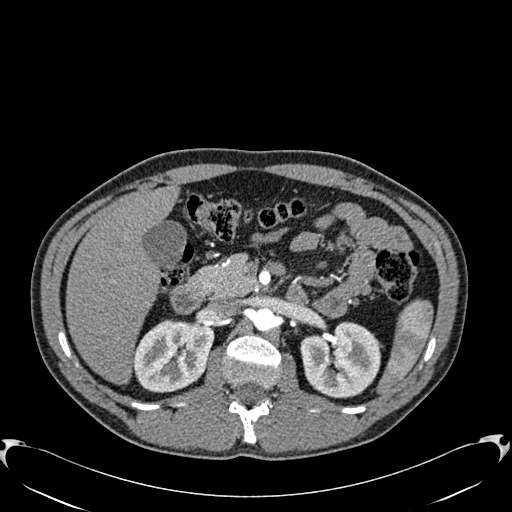
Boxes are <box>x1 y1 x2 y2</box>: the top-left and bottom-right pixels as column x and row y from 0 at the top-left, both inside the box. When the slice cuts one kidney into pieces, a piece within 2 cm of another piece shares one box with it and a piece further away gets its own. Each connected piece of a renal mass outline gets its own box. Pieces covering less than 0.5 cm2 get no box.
Slice 385/512 of a contrast-enhanced abdominal CT in the arterial phase, counting up from the lowest; pixel size 0.771 mm, slice thickness 1.00 mm. Two kidney boxes on this slice; by box centre, from the image's left to its right: (1) Right kidney: <box>133 319 214 392</box> (outlined area 4,593 px, about 27.3 cm2). (2) Left kidney: <box>300 321 381 398</box> (outlined area 4,774 px, about 28.4 cm2). No renal mass outline on this slice.
Acquired at 120 kVp and reconstructed with the B30f kernel.